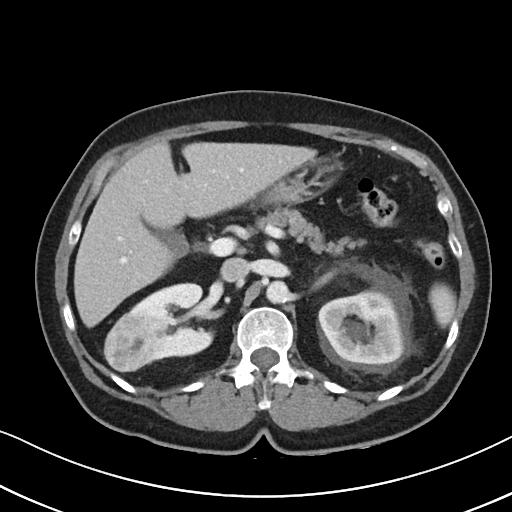
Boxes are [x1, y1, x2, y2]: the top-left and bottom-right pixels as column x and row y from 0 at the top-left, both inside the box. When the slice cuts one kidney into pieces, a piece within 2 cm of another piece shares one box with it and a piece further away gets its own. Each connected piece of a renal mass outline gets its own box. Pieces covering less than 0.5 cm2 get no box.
Contrast-enhanced abdominal CT, axial slice 63 of 88 (counted from the lowest slice); 5.00 mm thick, 0.674 mm per pixel. Two kidney boxes and one renal mass box on this slice; by box centre, from the image's left to its right: (1) Right renal mass, box [104, 316, 154, 372] (outlined area 2,236 px, about 10.2 cm2). (2) Right kidney at [124, 283, 213, 360] (outlined area 4,056 px, about 18.4 cm2). (3) Left kidney at [318, 290, 403, 363] (outlined area 4,885 px, about 22.2 cm2).
Acquired at 100 kVp and reconstructed with the I40f kernel.